Abdominal CT with intravenous contrast, axial plane, 120 kVp, kernel STANDARD. Slice 108/186 from the bottom of the scan; thickness 2.50 mm; pixel size 0.850 mm.
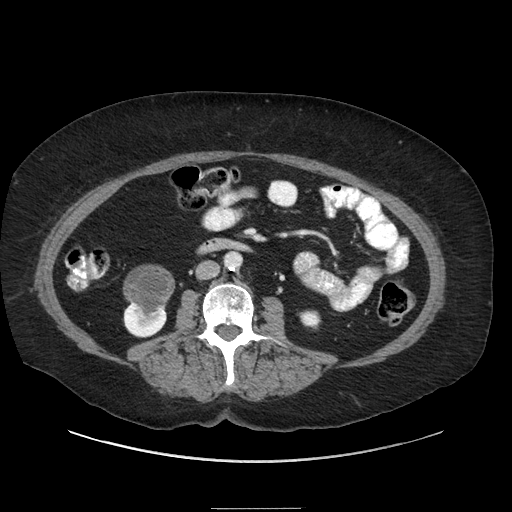
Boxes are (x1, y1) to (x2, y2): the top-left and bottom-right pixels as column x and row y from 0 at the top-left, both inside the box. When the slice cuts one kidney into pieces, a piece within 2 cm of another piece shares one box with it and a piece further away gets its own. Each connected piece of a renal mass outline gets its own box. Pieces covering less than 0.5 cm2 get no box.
Three boxes on this slice (two kidney boxes and one renal mass box), listed by box centre from the image's left to its right. (1) Right kidney, box (123, 302) to (166, 337) (outlined area 784 px, about 5.7 cm2). (2) Right renal mass from (123, 264) to (174, 326) (outlined area 2,203 px, about 15.9 cm2). (3) Left kidney, box (298, 310) to (321, 329) (outlined area 350 px, about 2.5 cm2).